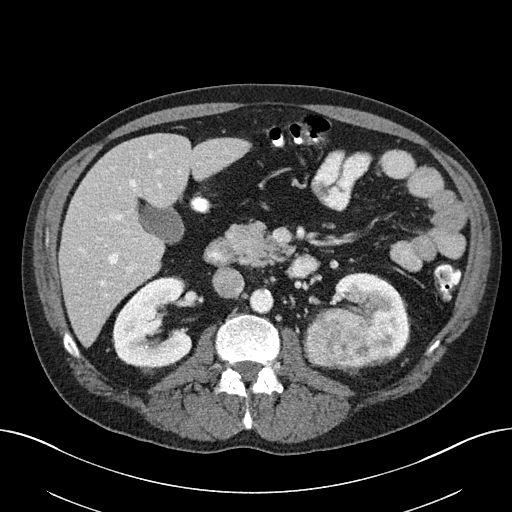
Abdominal CT with intravenous contrast, axial plane, 100 kVp, kernel I40f. Slice 110/163 from the bottom of the scan; thickness 3.00 mm; pixel size 0.799 mm.
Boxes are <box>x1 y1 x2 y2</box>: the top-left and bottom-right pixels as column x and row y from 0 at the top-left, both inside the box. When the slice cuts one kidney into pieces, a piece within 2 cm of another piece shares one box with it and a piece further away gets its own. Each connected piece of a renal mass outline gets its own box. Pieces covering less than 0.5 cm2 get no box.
Boxed on this slice (two kidney boxes and one renal mass box), listed by box centre from the image's left to its right: (1) Right kidney at <box>113 277 191 369</box> (outlined area 5,019 px, about 32.0 cm2). (2) Left renal mass: <box>303 308 368 367</box> (outlined area 2,982 px, about 19.0 cm2). (3) At <box>328 273 409 370</box>: left kidney (outlined area 4,594 px, about 29.3 cm2).